Abdominal CT with intravenous contrast, arterial phase, axial plane, 120 kVp, kernel I40f. Slice 44/86 from the bottom of the scan; thickness 5.00 mm; pixel size 0.977 mm.
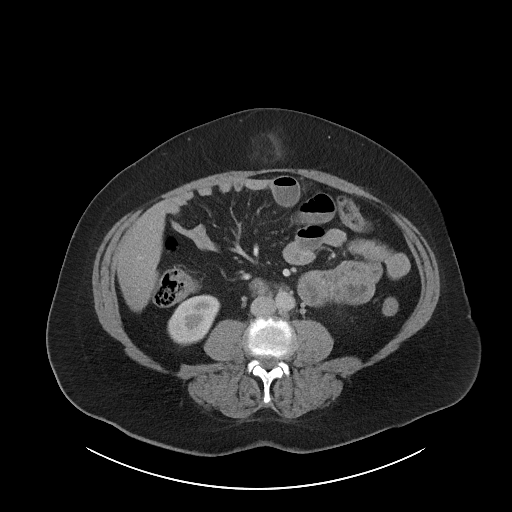
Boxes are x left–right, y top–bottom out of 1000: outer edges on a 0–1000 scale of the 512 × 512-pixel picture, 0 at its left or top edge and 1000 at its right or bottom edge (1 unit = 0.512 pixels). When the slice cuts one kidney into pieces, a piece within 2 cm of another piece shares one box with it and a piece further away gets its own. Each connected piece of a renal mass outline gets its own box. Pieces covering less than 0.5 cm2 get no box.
Right kidney at x 326–432, y 574–676 out of 1000 (outlined area 1,903 px, about 18.1 cm2). This slice carries no renal mass outline.